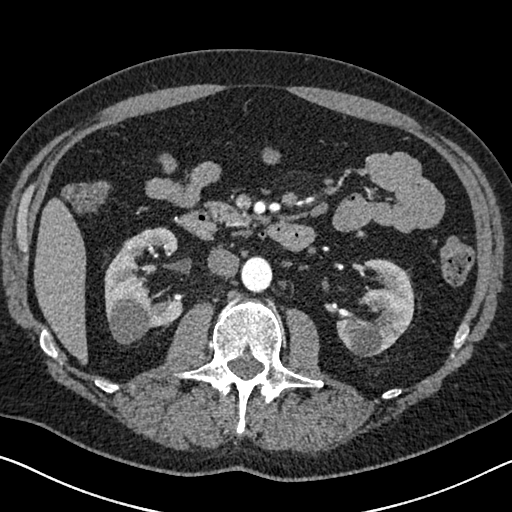
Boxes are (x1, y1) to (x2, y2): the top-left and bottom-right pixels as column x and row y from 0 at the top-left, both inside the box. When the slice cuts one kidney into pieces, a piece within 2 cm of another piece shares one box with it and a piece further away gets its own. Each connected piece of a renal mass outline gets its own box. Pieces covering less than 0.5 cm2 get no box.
This is axial slice 376 of 626 (slice 1 is the lowest) of an arterial-phase abdominal CT with contrast; each pixel is 0.703 mm and the slice is 1.00 mm thick. Boxed on this slice (two kidney boxes), listed by box centre from the image's left to its right: (1) Right kidney, box (104, 227) to (183, 344) (outlined area 5,926 px, about 29.3 cm2). (2) Box (336, 259) to (414, 356): left kidney (outlined area 4,726 px, about 23.4 cm2). No renal mass outline on this slice.
Scan settings: 120 kVp, I30f reconstruction kernel.